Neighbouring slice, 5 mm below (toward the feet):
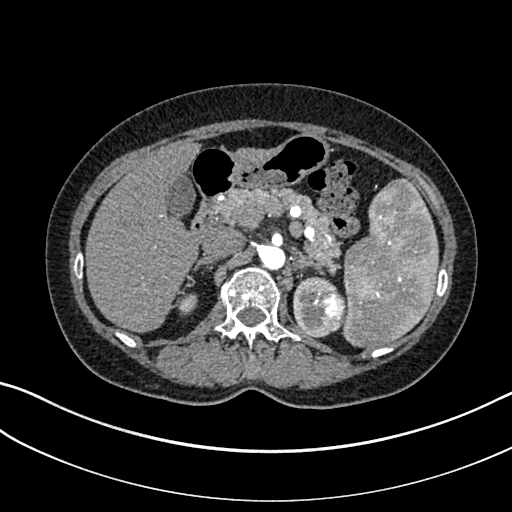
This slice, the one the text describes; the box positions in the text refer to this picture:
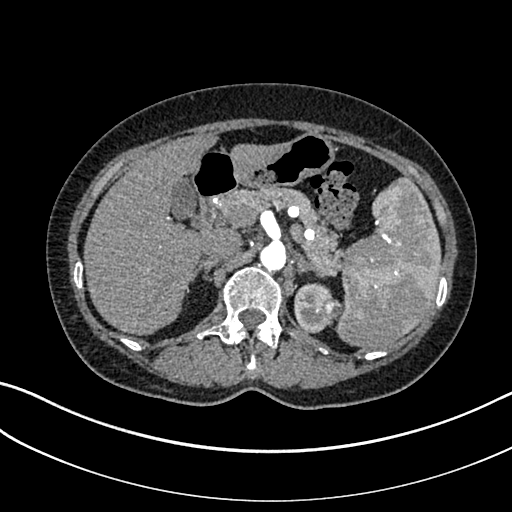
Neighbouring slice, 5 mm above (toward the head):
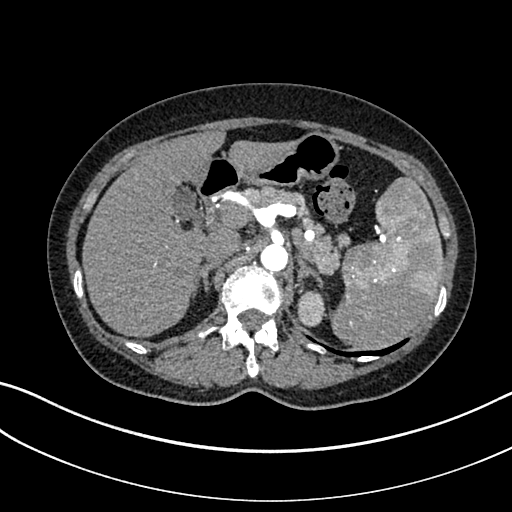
Abdominal CT with intravenous contrast, arterial phase, axial plane, 100 kVp, kernel I30f. Slice 238/325 from the bottom of the scan; thickness 1.00 mm; pixel size 0.703 mm.
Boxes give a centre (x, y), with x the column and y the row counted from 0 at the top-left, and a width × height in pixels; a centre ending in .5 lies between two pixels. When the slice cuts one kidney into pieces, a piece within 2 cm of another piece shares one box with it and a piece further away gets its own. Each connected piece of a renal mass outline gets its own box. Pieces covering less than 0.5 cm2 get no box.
Two boxes on this slice (one kidney box and one renal mass box), listed by box centre from the image's left to its right. (1) Left kidney, box centre (313, 308), 39 × 51 pixels (outlined area 1,414 px, about 7.0 cm2). (2) Left renal mass in a box with centre (332.5, 308.5), 22 × 26 pixels (outlined area 411 px, about 2.0 cm2). This slice lies near the end of the left renal mass toward the head; the slices 5 mm below and 5 mm above it are shown too, and the boxes mark positions on this slice only.